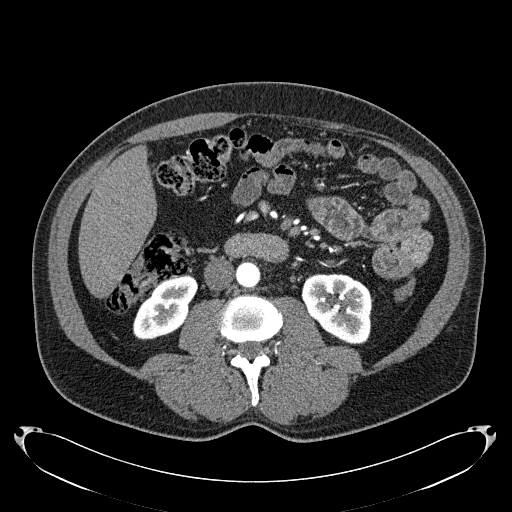
Axial slice 91 of 279 of a contrast-enhanced abdominal CT in the arterial phase (slice 1 is the lowest), 120 kVp, kernel B31f; 2.00 mm slice thickness and 0.824 mm pixels.
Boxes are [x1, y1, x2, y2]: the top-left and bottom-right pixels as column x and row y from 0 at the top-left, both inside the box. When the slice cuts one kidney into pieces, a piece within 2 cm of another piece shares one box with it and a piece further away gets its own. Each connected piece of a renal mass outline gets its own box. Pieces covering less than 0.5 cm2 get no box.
Two kidney boxes on this slice; by box centre, from the image's left to its right: (1) Box [133, 275, 197, 340]: right kidney (outlined area 2,778 px, about 18.9 cm2). (2) Left kidney at [301, 273, 371, 344] (outlined area 3,853 px, about 26.2 cm2). No renal mass outline on this slice.